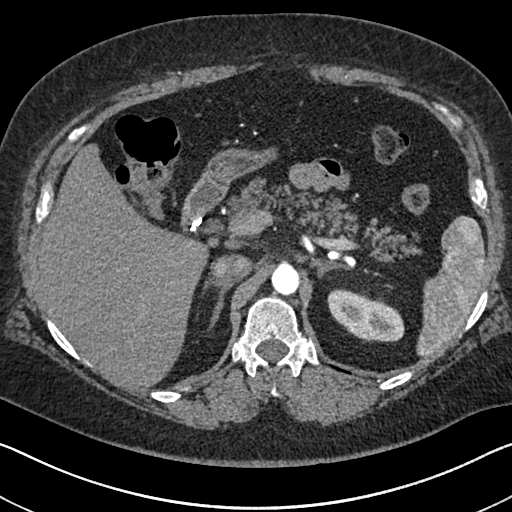
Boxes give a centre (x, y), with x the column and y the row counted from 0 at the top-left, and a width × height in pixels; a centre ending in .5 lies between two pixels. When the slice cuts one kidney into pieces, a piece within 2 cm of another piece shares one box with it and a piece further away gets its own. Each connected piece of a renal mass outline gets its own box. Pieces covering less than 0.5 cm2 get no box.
This is axial slice 490 of 591 (slice 1 is the lowest) of an arterial-phase abdominal CT with contrast; each pixel is 0.703 mm and the slice is 1.00 mm thick. Box centre (365.5, 315), 78 × 55 pixels: left kidney (outlined area 2,866 px, about 14.2 cm2). No renal mass is outlined on this slice.
Tube voltage 140 kVp; convolution kernel I30f.